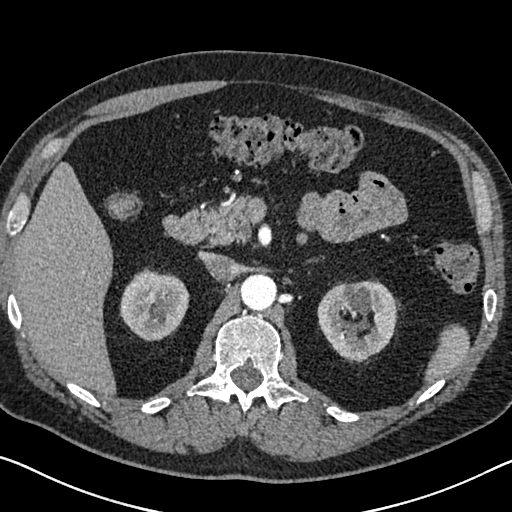
One axial slice (450 of 626, counting up from the lowest) of an arterial-phase abdominal CT acquired with 120 kVp, kernel I30f; each pixel is 0.703 mm and the slice is 1.00 mm thick.
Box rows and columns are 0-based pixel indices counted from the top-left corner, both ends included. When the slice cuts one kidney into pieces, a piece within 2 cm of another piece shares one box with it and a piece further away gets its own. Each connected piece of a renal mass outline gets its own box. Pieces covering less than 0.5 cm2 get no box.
Two kidney boxes on this slice; by box centre, from the image's left to its right: (1) Box rows 268–340, columns 119–189: right kidney (outlined area 3,777 px, about 18.7 cm2). (2) Left kidney, box rows 279–361, columns 317–397 (outlined area 4,891 px, about 24.2 cm2). This slice carries no renal mass outline.